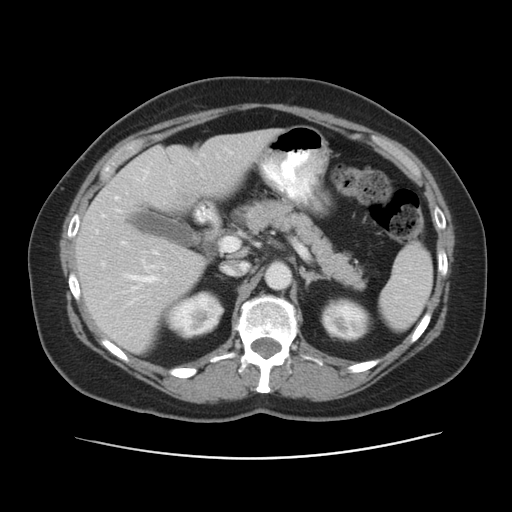
Abdominal CT with intravenous contrast, arterial phase, axial plane, 120 kVp, kernel STANDARD. Slice 35/53 from the bottom of the scan; thickness 5.00 mm; pixel size 0.703 mm.
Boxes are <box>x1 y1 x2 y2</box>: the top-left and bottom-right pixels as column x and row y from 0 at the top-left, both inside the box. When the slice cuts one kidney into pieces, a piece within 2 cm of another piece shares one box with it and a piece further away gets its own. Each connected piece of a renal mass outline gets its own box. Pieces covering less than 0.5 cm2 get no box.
Boxed on this slice (two kidney boxes), listed by box centre from the image's left to its right: (1) At <box>165 290 224 339</box>: right kidney (outlined area 2,117 px, about 10.5 cm2). (2) At <box>320 297 372 341</box>: left kidney (outlined area 1,761 px, about 8.7 cm2). No renal mass outline on this slice.